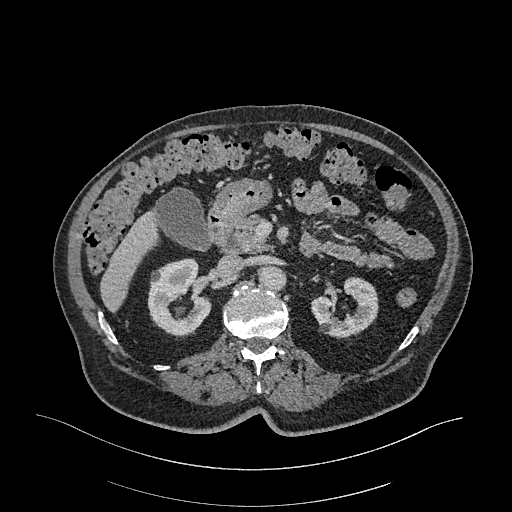
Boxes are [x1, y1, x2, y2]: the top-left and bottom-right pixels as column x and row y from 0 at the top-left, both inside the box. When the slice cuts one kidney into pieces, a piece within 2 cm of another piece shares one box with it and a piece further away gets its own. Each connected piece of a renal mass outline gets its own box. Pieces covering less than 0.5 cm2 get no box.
Arterial-phase contrast-enhanced abdominal CT, axial slice 193 of 470 (counted from the lowest slice); 1.00 mm thick, 0.938 mm per pixel. Two kidney boxes on this slice; by box centre, from the image's left to its right: (1) Right kidney at [147, 258, 211, 336] (outlined area 3,597 px, about 31.6 cm2). (2) Left kidney at [311, 276, 378, 337] (outlined area 2,640 px, about 23.2 cm2). This slice carries no renal mass outline.
Scan settings: 120 kVp, I26f reconstruction kernel.